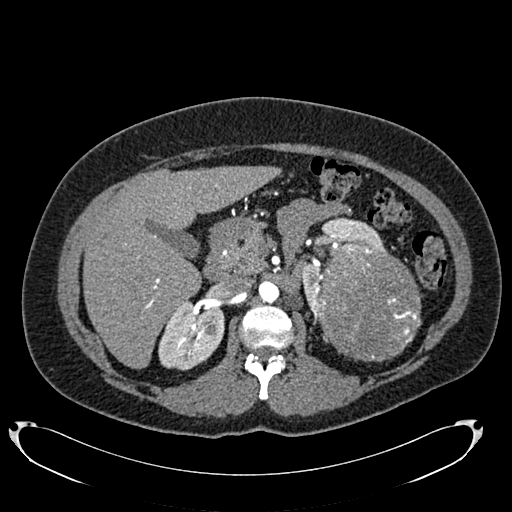
One axial slice (465 of 634, counting up from the lowest) of an arterial-phase abdominal CT acquired with 120 kVp, kernel B20f; each pixel is 0.838 mm and the slice is 1.00 mm thick.
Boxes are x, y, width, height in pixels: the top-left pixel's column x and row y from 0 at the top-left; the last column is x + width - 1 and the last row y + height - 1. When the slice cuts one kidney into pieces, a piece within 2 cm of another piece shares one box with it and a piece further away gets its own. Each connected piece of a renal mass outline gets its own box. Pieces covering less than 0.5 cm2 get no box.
Boxed on this slice (two kidney boxes and one renal mass box), listed by box centre from the image's left to its right: (1) Right kidney, box x 158, y 299, width 67, height 72 (outlined area 3,591 px, about 25.2 cm2). (2) Left kidney, box x 298, y 217, width 87, height 97 (outlined area 2,516 px, about 17.7 cm2). (3) Box x 315, y 243, width 107, height 119: left renal mass (outlined area 10,037 px, about 70.5 cm2).